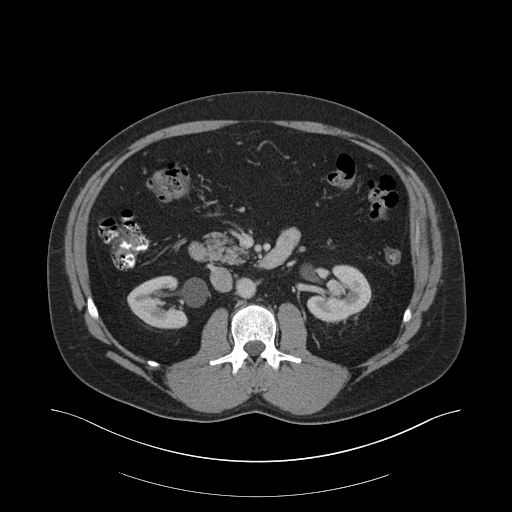
One axial slice (106 of 159, counting up from the lowest) of an arterial-phase abdominal CT acquired with 140 kVp, kernel B30f; each pixel is 0.977 mm and the slice is 3.00 mm thick.
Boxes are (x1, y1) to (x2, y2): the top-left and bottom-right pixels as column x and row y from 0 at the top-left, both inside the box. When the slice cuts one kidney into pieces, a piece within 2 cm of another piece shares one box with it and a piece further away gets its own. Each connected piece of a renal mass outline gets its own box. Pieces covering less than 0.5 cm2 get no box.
Boxed on this slice (two kidney boxes), listed by box centre from the image's left to its right: (1) Box (127, 275) to (188, 328): right kidney (outlined area 2,281 px, about 21.8 cm2). (2) Box (307, 264) to (371, 322): left kidney (outlined area 2,623 px, about 25.0 cm2). No renal mass is outlined on this slice.